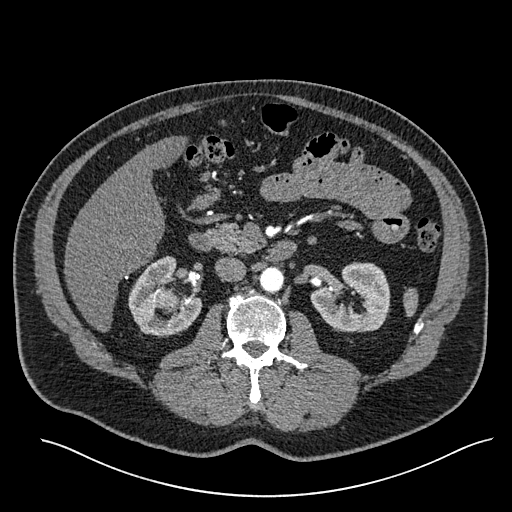
One axial slice (329 of 527, counting up from the lowest) of an arterial-phase abdominal CT acquired with 120 kVp, kernel I30f; each pixel is 0.859 mm and the slice is 1.00 mm thick.
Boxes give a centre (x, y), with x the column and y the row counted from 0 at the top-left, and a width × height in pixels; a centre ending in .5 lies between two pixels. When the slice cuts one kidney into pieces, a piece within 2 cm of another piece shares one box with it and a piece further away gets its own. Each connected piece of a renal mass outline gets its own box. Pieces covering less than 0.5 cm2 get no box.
Boxed on this slice (two kidney boxes and one renal mass box), listed by box centre from the image's left to its right: (1) Right kidney in a box with centre (165, 296.5), 75 × 82 pixels (outlined area 3,539 px, about 26.1 cm2). (2) Box centre (166.5, 300.5), 24 × 26 pixels: right renal mass (outlined area 456 px, about 3.4 cm2). (3) Left kidney, box centre (350, 297), 81 × 71 pixels (outlined area 3,995 px, about 29.5 cm2).